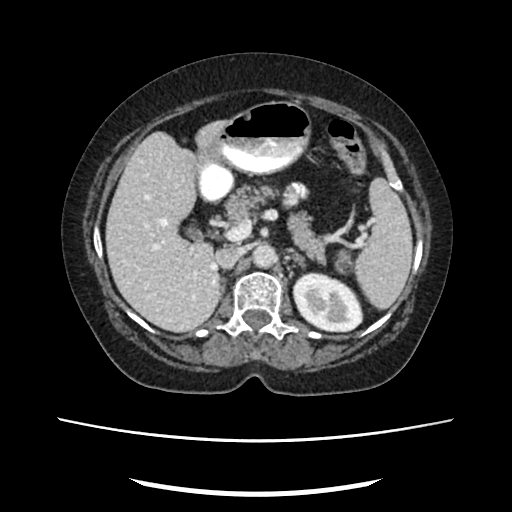
Axial slice 152 of 207 of a contrast-enhanced abdominal CT in the arterial phase (slice 1 is the lowest), 120 kVp, kernel FC18; 2.00 mm slice thickness and 0.741 mm pixels.
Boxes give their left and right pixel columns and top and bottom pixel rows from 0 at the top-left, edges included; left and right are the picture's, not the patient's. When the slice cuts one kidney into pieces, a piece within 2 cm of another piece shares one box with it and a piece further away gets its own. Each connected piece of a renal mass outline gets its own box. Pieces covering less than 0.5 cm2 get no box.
Left kidney in the box with left 292, top 272, right 363, bottom 332 (outlined area 3,233 px, about 17.8 cm2). No renal mass outline on this slice.